One axial slice (429 of 683, counting up from the lowest) of an arterial-phase abdominal CT acquired with 120 kVp, kernel I30f; each pixel is 0.738 mm and the slice is 1.00 mm thick.
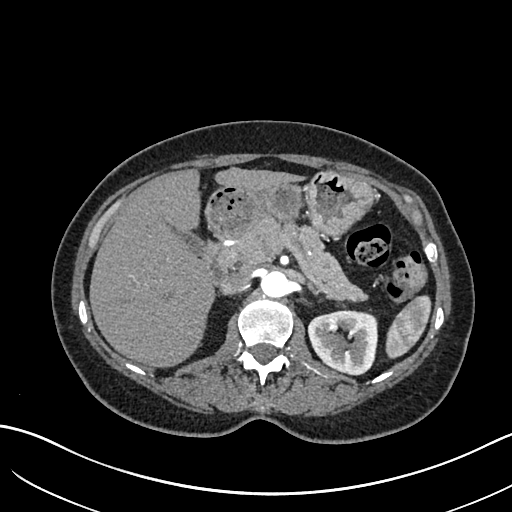
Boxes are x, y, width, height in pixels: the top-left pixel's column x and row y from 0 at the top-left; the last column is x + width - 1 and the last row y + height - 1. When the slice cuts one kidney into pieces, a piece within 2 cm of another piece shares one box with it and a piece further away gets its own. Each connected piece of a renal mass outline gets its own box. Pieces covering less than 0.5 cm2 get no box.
Box x 307, y 309, width 72, height 67: left kidney (outlined area 3,660 px, about 19.9 cm2). No renal mass is outlined on this slice.